Arterial-phase contrast-enhanced abdominal CT, axial slice 316 of 620 (counted from the lowest slice); tube voltage 120 kVp, convolution kernel B31f; slices 2.00 mm thick, 0.637 mm per pixel.
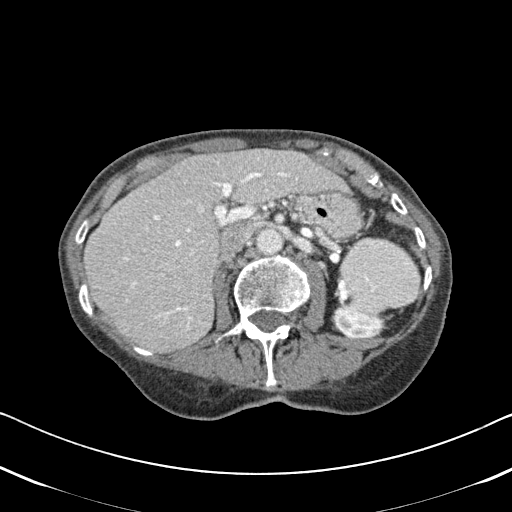
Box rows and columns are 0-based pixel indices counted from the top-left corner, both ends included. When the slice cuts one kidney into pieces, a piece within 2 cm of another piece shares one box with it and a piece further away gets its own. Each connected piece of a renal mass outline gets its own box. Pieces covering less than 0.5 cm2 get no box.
Left kidney at rows 304–338, columns 330–386 (outlined area 1,443 px, about 5.9 cm2). This slice carries no renal mass outline.